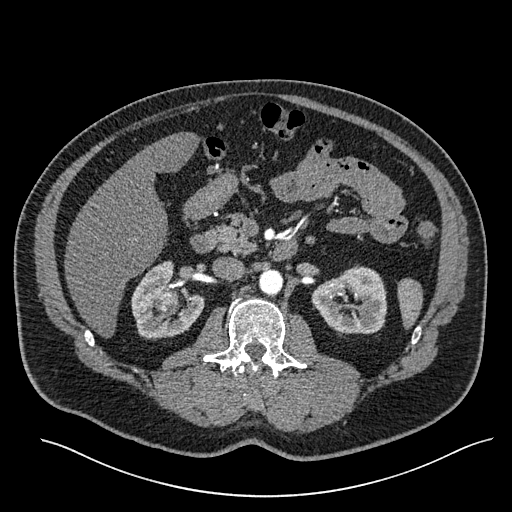
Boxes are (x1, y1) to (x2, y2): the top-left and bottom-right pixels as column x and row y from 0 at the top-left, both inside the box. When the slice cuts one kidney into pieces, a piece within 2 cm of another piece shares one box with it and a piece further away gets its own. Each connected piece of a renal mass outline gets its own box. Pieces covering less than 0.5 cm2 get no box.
Arterial-phase contrast-enhanced abdominal CT, axial slice 341 of 527 (counted from the lowest slice); 1.00 mm thick, 0.859 mm per pixel. Three boxes on this slice (two kidney boxes and one renal mass box), listed by box centre from the image's left to its right. (1) Right renal mass, box (157, 289) to (177, 306) (outlined area 320 px, about 2.4 cm2). (2) Right kidney from (131, 261) to (203, 340) (outlined area 3,606 px, about 26.6 cm2). (3) Left kidney from (311, 265) to (387, 336) (outlined area 3,887 px, about 28.7 cm2).
Acquired at 120 kVp and reconstructed with the I30f kernel.